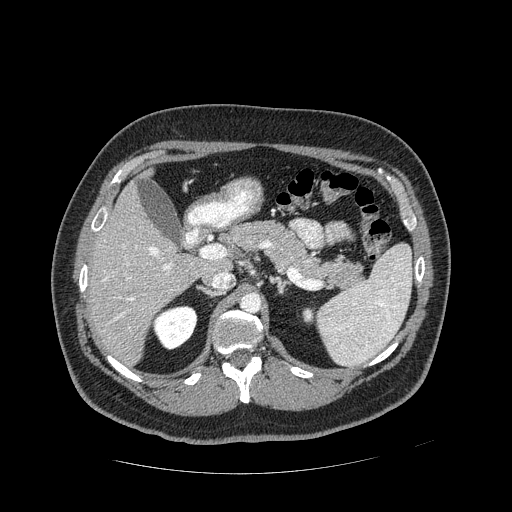
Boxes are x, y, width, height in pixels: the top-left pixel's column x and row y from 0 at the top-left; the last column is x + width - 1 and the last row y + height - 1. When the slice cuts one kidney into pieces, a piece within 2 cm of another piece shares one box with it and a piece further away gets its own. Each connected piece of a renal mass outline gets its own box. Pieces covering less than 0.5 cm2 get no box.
Arterial-phase contrast-enhanced abdominal CT, axial slice 288 of 389 (counted from the lowest slice); 1.25 mm thick, 0.869 mm per pixel. Two boxes on this slice (two kidney boxes), listed by box centre from the image's left to its right. (1) Right kidney at x 151, y 305, width 47, height 45 (outlined area 1,529 px, about 11.6 cm2). (2) Left kidney, box x 302, y 307, width 14, height 18 (outlined area 209 px, about 1.6 cm2). No renal mass is outlined on this slice.
Acquired at 120 kVp and reconstructed with the STANDARD kernel.